One axial slice (229 of 548, counting up from the lowest) of an arterial-phase abdominal CT acquired with 120 kVp, kernel I26f; each pixel is 0.852 mm and the slice is 1.00 mm thick.
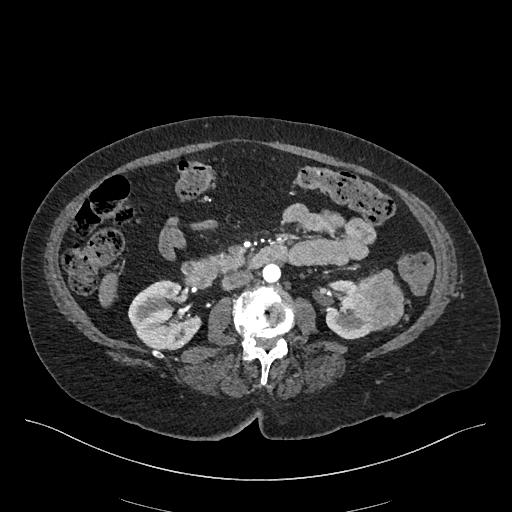
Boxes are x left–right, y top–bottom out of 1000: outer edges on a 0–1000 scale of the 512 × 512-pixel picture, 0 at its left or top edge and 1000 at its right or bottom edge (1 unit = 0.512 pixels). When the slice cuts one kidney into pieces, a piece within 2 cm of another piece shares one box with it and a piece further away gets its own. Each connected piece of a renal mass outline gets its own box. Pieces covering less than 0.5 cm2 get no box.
Boxed on this slice (two kidney boxes and one renal mass box), listed by box centre from the image's left to its right: (1) Box x 250–395, y 547–686 out of 1000: right kidney (outlined area 3,671 px, about 26.6 cm2). (2) Left kidney at x 635–754, y 545–664 out of 1000 (outlined area 1,862 px, about 13.5 cm2). (3) Left renal mass, box x 686–789, y 525–641 out of 1000 (outlined area 2,297 px, about 16.7 cm2).